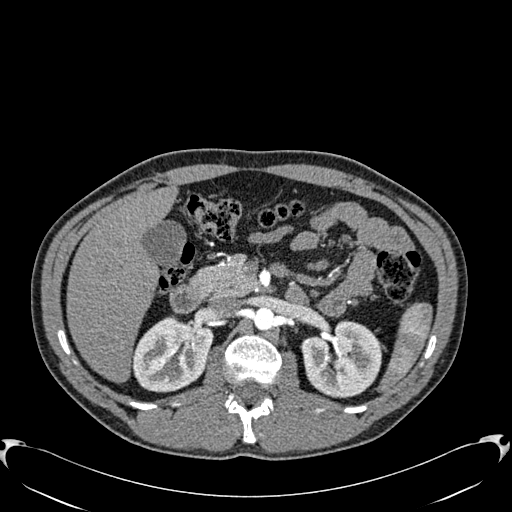
One axial slice (382 of 512, counting up from the lowest) of an arterial-phase abdominal CT acquired with 120 kVp, kernel B30f; each pixel is 0.771 mm and the slice is 1.00 mm thick.
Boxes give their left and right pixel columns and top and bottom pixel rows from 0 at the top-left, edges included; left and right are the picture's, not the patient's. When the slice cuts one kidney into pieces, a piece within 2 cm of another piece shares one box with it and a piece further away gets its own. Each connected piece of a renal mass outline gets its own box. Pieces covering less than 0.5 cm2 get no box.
Two kidney boxes on this slice; by box centre, from the image's left to its right: (1) Right kidney, the box with left 131, top 315, right 213, bottom 392 (outlined area 4,628 px, about 27.5 cm2). (2) Left kidney in the box with left 301, top 320, right 384, bottom 398 (outlined area 4,808 px, about 28.6 cm2). This slice carries no renal mass outline.